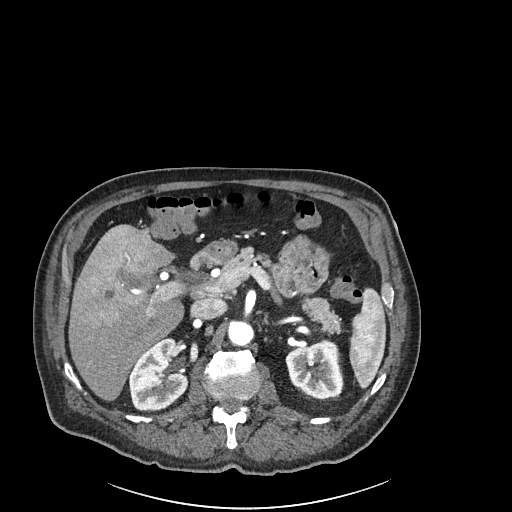
Abdominal CT with intravenous contrast, arterial phase, axial plane, 120 kVp, kernel I30f. Slice 139/261 from the bottom of the scan; thickness 2.00 mm; pixel size 0.939 mm.
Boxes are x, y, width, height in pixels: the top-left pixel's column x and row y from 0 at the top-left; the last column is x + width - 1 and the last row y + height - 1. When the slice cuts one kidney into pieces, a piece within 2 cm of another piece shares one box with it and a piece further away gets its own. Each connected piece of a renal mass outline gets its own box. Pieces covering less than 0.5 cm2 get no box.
Two kidney boxes on this slice; by box centre, from the image's left to its right: (1) Box x 128, y 337, width 61, height 74: right kidney (outlined area 3,248 px, about 28.7 cm2). (2) Left kidney, box x 285, y 340, width 58, height 60 (outlined area 2,545 px, about 22.5 cm2). This slice carries no renal mass outline.